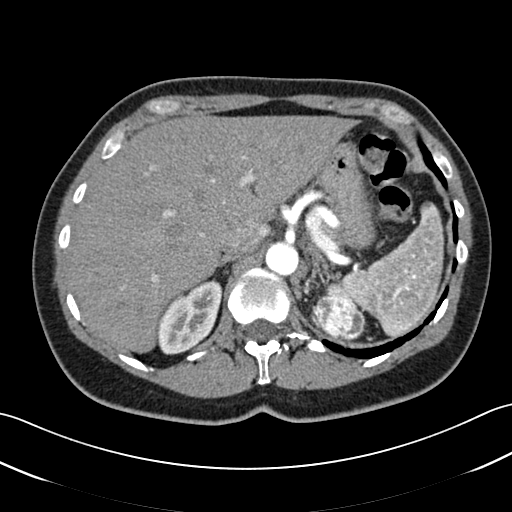
Arterial-phase contrast-enhanced abdominal CT, axial slice 40 of 52 (counted from the lowest slice); tube voltage 120 kVp, convolution kernel B30f; slices 3.00 mm thick, 0.678 mm per pixel.
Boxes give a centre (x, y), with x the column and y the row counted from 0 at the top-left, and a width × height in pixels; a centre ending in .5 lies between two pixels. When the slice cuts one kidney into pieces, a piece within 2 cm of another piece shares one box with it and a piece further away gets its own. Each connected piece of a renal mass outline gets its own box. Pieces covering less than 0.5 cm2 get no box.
Two kidney boxes and one renal mass box on this slice; by box centre, from the image's left to its right: (1) Box centre (190, 316.5), 65 × 76 pixels: right kidney (outlined area 3,221 px, about 14.8 cm2). (2) Left kidney, box centre (338, 291.5), 33 × 22 pixels (outlined area 288 px, about 1.3 cm2). (3) Left renal mass, box centre (338, 318), 53 × 45 pixels (outlined area 1,791 px, about 8.2 cm2).